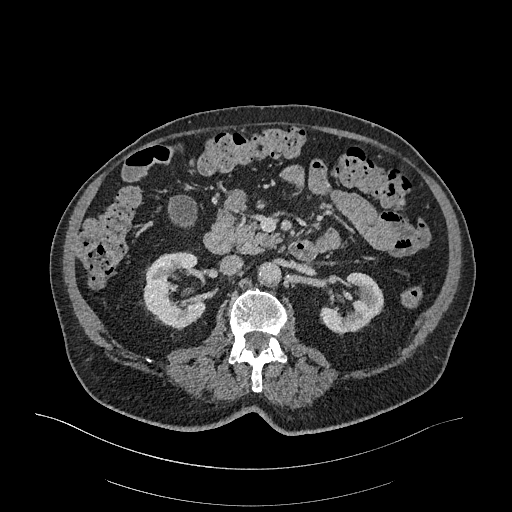
Abdominal CT with intravenous contrast, arterial phase, axial plane, 120 kVp, kernel I26f. Slice 165/470 from the bottom of the scan; thickness 1.00 mm; pixel size 0.938 mm.
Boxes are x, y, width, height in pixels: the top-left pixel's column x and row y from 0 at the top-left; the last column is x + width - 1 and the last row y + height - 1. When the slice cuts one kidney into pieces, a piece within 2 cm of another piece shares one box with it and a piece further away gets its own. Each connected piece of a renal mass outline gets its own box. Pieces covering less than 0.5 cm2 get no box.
Two boxes on this slice (two kidney boxes), listed by box centre from the image's left to its right. (1) Box x 143, y 251, width 63, height 78: right kidney (outlined area 3,419 px, about 30.0 cm2). (2) Left kidney, box x 320, y 272, width 64, height 64 (outlined area 2,458 px, about 21.6 cm2). No renal mass outline on this slice.